One axial slice (335 of 787, counting up from the lowest) of a contrast-enhanced abdominal CT acquired with 140 kVp, kernel I30f; each pixel is 0.910 mm and the slice is 1.00 mm thick.
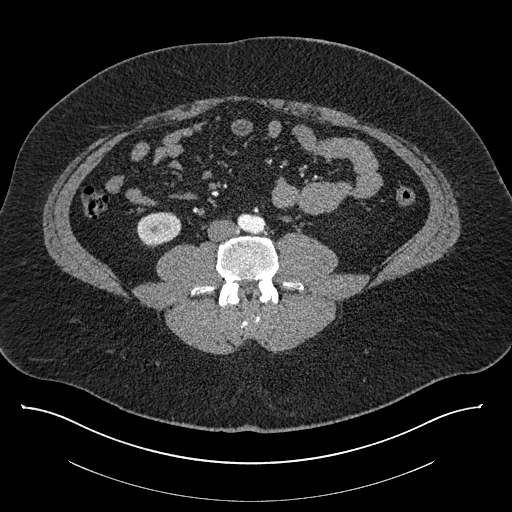
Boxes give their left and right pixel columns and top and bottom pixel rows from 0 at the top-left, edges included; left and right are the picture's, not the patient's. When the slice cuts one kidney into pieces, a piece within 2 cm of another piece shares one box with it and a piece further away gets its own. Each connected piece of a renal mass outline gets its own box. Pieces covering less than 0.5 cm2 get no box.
Right kidney in the box with left 136, top 212, right 181, bottom 247 (outlined area 1,236 px, about 10.2 cm2). This slice carries no renal mass outline.